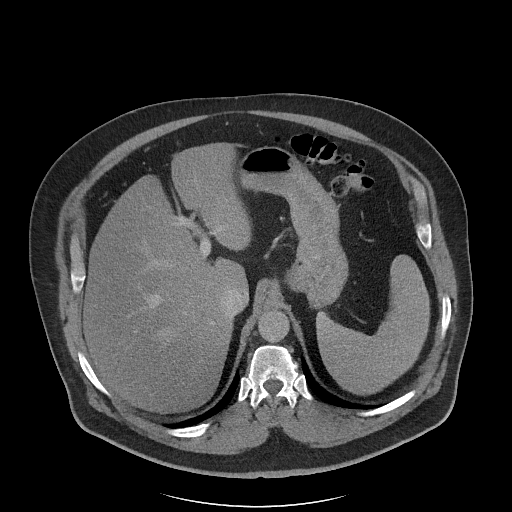
Axial slice 78 of 102 of a contrast-enhanced abdominal CT (slice 1 is the lowest), 120 kVp, kernel I40f; 5.00 mm slice thickness and 0.977 mm pixels.
Neither a kidney nor a renal mass is outlined here. Only kidneys and renal masses are outlined anywhere in this scan; other structures are never outlined.